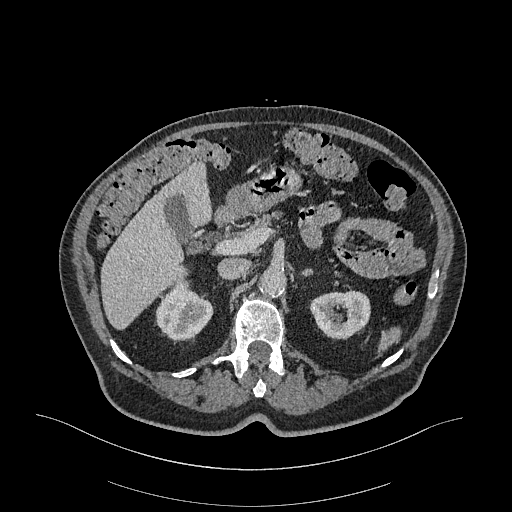
One axial slice (218 of 470, counting up from the lowest) of an arterial-phase abdominal CT acquired with 120 kVp, kernel I26f; each pixel is 0.938 mm and the slice is 1.00 mm thick.
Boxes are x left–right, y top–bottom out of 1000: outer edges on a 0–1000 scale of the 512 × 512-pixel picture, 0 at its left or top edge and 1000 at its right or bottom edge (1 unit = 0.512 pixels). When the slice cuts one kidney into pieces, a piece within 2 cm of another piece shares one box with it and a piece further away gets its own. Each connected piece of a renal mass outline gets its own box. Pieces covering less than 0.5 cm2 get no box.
Boxed on this slice (two kidney boxes), listed by box centre from the image's left to its right: (1) Right kidney, box x 303–418, y 557–666 out of 1000 (outlined area 2,319 px, about 20.4 cm2). (2) Box x 604–725, y 566–664 out of 1000: left kidney (outlined area 2,313 px, about 20.3 cm2). This slice carries no renal mass outline.